Abdominal CT with intravenous contrast, axial plane, 120 kVp, kernel STANDARD. Slice 59/76 from the bottom of the scan; thickness 2.50 mm; pixel size 0.586 mm.
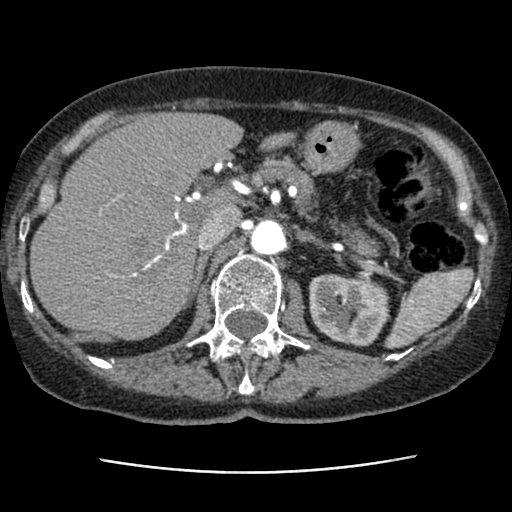
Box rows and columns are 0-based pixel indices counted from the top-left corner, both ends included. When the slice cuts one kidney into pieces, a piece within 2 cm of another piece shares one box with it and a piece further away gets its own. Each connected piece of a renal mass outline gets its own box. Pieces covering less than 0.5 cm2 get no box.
Left kidney at rows 274–346, columns 308–390 (outlined area 4,717 px, about 16.2 cm2). No renal mass is outlined on this slice.